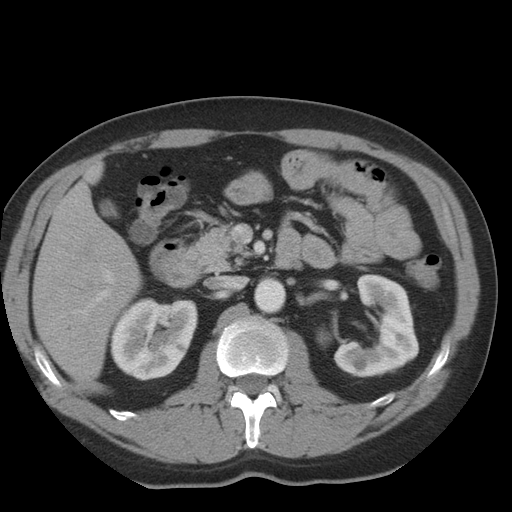
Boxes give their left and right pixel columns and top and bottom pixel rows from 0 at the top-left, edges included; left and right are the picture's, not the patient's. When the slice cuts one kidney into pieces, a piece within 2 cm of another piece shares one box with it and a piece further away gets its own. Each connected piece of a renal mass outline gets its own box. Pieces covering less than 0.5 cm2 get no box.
This is axial slice 18 of 36 (slice 1 is the lowest) of an arterial-phase abdominal CT with contrast; each pixel is 0.703 mm and the slice is 5.00 mm thick. Boxed on this slice (two kidney boxes), listed by box centre from the image's left to its right: (1) Right kidney in the box with left 110, top 297, right 197, bottom 380 (outlined area 5,612 px, about 27.7 cm2). (2) Left kidney in the box with left 316, top 274, right 419, bottom 377 (outlined area 5,826 px, about 28.8 cm2). This slice carries no renal mass outline.
Acquired at 140 kVp and reconstructed with the STANDARD kernel.